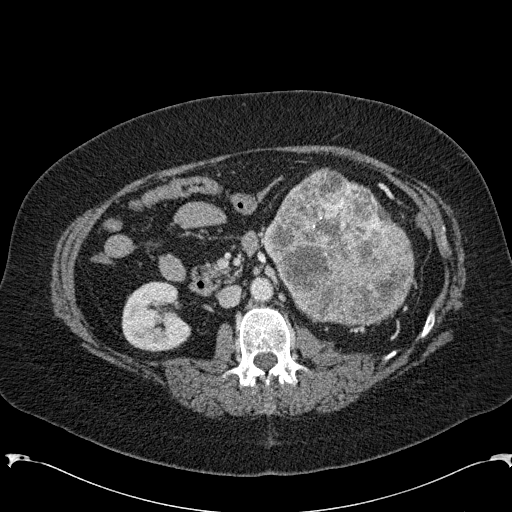
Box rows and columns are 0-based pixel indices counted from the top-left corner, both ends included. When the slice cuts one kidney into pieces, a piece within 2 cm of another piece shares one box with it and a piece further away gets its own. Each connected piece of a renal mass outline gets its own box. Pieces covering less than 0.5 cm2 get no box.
This is axial slice 121 of 285 (slice 1 is the lowest) of an arterial-phase abdominal CT with contrast; each pixel is 0.762 mm and the slice is 2.00 mm thick. One kidney box and one renal mass box on this slice; by box centre, from the image's left to its right: (1) Box rows 281–351, columns 121–191: right kidney (outlined area 3,752 px, about 21.8 cm2). (2) Left renal mass at rows 167–326, columns 262–414 (outlined area 17,148 px, about 99.5 cm2); on this slice it lies more than 1 cm from any kidney outline, but the same outlined renal mass comes within 1 cm of the kidney on another slice.
Tube voltage 120 kVp; convolution kernel B31f.